Axial slice 79 of 146 of a contrast-enhanced abdominal CT (slice 1 is the lowest), 120 kVp, kernel B41f; 5.00 mm slice thickness and 0.840 mm pixels.
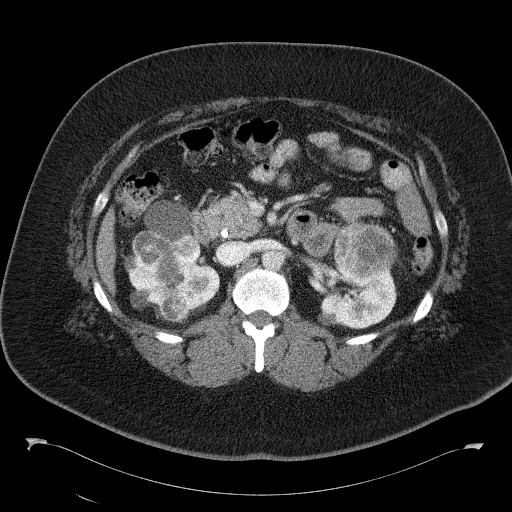
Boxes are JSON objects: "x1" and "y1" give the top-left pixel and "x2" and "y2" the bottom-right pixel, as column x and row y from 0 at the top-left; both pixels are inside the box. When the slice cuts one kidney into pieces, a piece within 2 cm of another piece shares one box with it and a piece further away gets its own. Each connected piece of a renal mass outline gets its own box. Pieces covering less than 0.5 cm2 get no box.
Boxed on this slice (two kidney boxes and four renal mass boxes), listed by box centre from the image's left to its right: (1) Renal mass, box {"x1": 131, "y1": 230, "x2": 168, "y2": 266} (outlined area 981 px, about 6.9 cm2). (2) Box {"x1": 124, "y1": 200, "x2": 219, "y2": 309}: kidney (outlined area 5,147 px, about 36.3 cm2). (3) Box {"x1": 159, "y1": 292, "x2": 189, "y2": 321}: renal mass (outlined area 723 px, about 5.1 cm2). (4) Box {"x1": 171, "y1": 235, "x2": 202, "y2": 261}: renal mass (outlined area 619 px, about 4.4 cm2). (5) Kidney, box {"x1": 318, "y1": 271, "x2": 397, "y2": 329} (outlined area 3,227 px, about 22.8 cm2). (6) Box {"x1": 332, "y1": 223, "x2": 397, "y2": 283}: renal mass (outlined area 3,161 px, about 22.3 cm2).